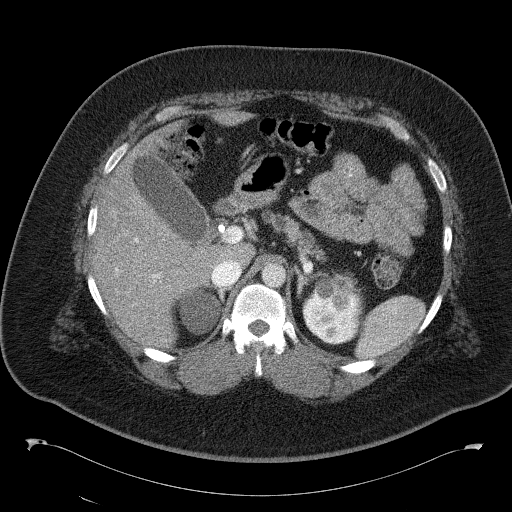
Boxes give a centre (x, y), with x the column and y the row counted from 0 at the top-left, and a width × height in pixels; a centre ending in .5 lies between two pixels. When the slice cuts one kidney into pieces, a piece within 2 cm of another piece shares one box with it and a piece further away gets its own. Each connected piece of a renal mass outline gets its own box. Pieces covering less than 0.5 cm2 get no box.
This is axial slice 89 of 146 (slice 1 is the lowest) of an abdominal CT with contrast; each pixel is 0.840 mm and the slice is 5.00 mm thick. Boxed on this slice (two kidney boxes), listed by box centre from the image's left to its right: (1) Kidney, box centre (199.5, 310.5), 44 × 48 pixels (outlined area 1,553 px, about 11.0 cm2). (2) Box centre (332, 308), 61 × 73 pixels: kidney (outlined area 3,389 px, about 23.9 cm2). No renal mass is outlined on this slice.
Acquired at 120 kVp and reconstructed with the B41f kernel.